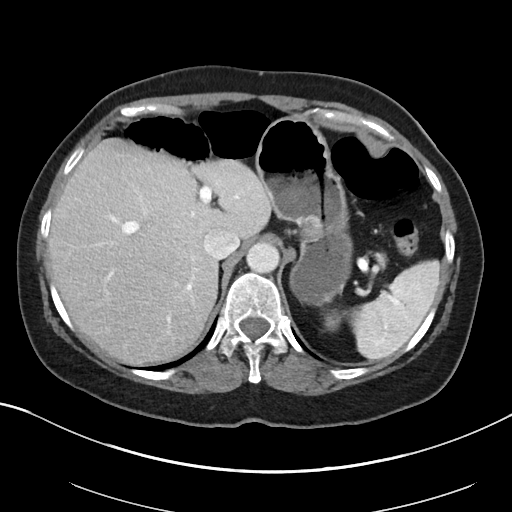
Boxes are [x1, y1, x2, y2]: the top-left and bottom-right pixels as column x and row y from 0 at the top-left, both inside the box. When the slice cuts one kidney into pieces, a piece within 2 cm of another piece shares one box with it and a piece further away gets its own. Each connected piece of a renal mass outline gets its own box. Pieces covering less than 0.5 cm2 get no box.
Slice 71/88 of a contrast-enhanced abdominal CT in the arterial phase, counting up from the lowest; pixel size 0.705 mm, slice thickness 5.00 mm. Left kidney, box [324, 309, 341, 331] (outlined area 318 px, about 1.6 cm2). No renal mass is outlined on this slice.
Acquired at 100 kVp and reconstructed with the I40f kernel.